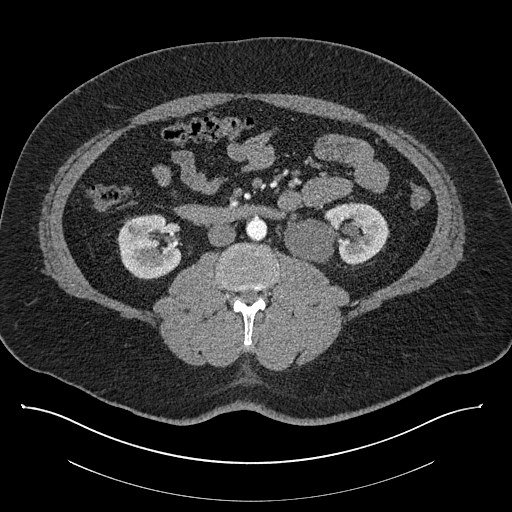
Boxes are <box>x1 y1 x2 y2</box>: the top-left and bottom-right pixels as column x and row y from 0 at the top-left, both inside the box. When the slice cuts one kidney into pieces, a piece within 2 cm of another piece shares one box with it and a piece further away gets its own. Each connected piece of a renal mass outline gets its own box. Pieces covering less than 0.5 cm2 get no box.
This is axial slice 433 of 787 (slice 1 is the lowest) of an abdominal CT with contrast; each pixel is 0.910 mm and the slice is 1.00 mm thick. Two kidney boxes on this slice; by box centre, from the image's left to its right: (1) Right kidney: <box>117 214 182 279</box> (outlined area 3,272 px, about 27.1 cm2). (2) At <box>284 202 389 264</box>: left kidney (outlined area 4,719 px, about 39.1 cm2). This slice carries no renal mass outline.
Scan settings: 140 kVp, I30f reconstruction kernel.